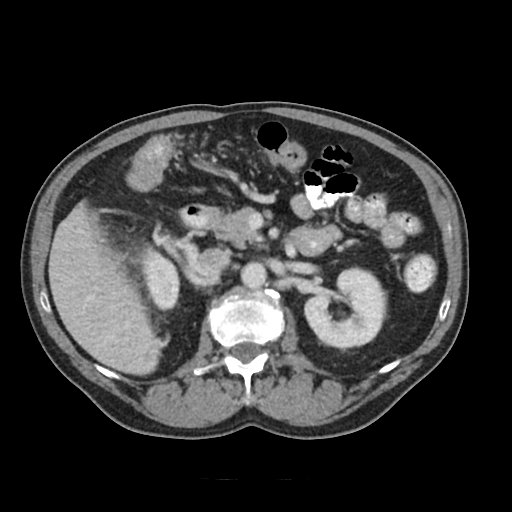
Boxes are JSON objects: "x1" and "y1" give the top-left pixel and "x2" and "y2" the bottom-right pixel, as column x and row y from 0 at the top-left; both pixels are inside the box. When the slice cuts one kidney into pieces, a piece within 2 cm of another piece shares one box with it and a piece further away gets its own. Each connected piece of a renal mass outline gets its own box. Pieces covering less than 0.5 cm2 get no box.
Contrast-enhanced abdominal CT, axial slice 64 of 91 (counted from the lowest slice); 5.00 mm thick, 0.766 mm per pixel. Two kidney boxes on this slice; by box centre, from the image's left to its right: (1) Box {"x1": 143, "y1": 250, "x2": 179, "y2": 311}: right kidney (outlined area 1,708 px, about 10.0 cm2). (2) Left kidney at {"x1": 304, "y1": 266, "x2": 388, "y2": 350} (outlined area 4,968 px, about 29.2 cm2). No renal mass is outlined on this slice.
Scan settings: 120 kVp, FC18 reconstruction kernel.